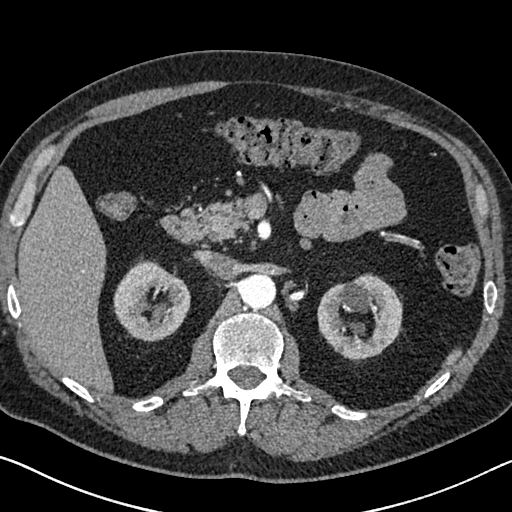
Axial slice 440 of 626 of a contrast-enhanced abdominal CT in the arterial phase (slice 1 is the lowest), 120 kVp, kernel I30f; 1.00 mm slice thickness and 0.703 mm pixels.
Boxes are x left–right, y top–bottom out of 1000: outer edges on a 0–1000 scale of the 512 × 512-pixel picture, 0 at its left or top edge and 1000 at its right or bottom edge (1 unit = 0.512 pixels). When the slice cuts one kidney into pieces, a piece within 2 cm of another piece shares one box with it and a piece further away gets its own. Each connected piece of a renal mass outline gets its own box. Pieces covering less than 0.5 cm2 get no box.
Two boxes on this slice (two kidney boxes), listed by box centre from the image's left to its right. (1) Box x 221–373, y 502–668 out of 1000: right kidney (outlined area 4,484 px, about 22.2 cm2). (2) Left kidney at x 619–787, y 533–711 out of 1000 (outlined area 5,168 px, about 25.5 cm2). This slice carries no renal mass outline.